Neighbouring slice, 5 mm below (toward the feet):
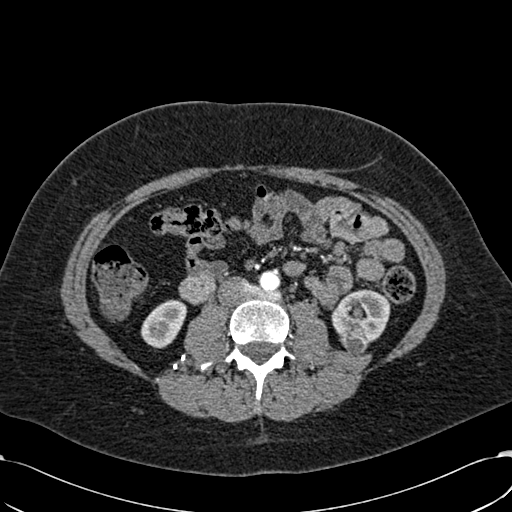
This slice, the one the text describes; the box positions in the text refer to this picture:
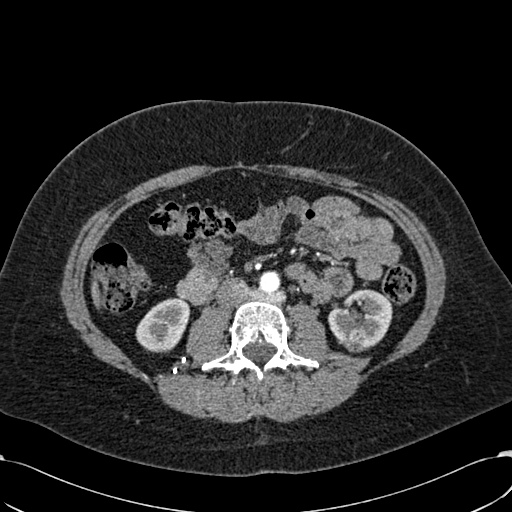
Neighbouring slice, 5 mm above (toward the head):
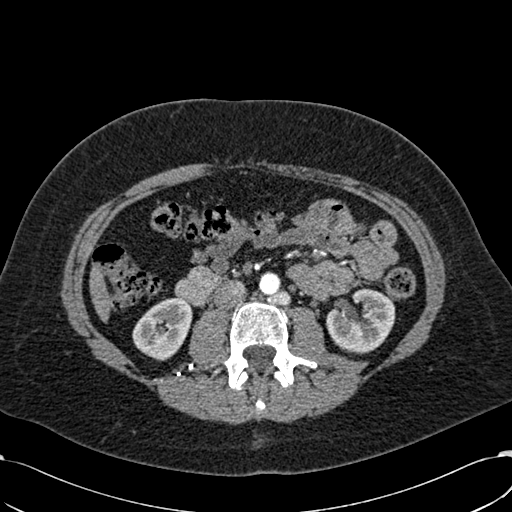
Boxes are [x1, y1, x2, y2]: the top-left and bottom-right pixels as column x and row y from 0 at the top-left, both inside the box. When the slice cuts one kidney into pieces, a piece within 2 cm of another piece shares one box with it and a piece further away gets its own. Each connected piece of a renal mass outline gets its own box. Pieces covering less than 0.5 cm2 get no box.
Arterial-phase contrast-enhanced abdominal CT, axial slice 293 of 532 (counted from the lowest slice); 1.00 mm thick, 0.713 mm per pixel. Three boxes on this slice (two kidney boxes and one renal mass box), listed by box centre from the image's left to its right. (1) Box [135, 297, 190, 352]: right kidney (outlined area 2,184 px, about 11.1 cm2). (2) Left renal mass at [345, 338, 363, 352] (outlined area 234 px, about 1.2 cm2). (3) Box [328, 289, 392, 350]: left kidney (outlined area 2,731 px, about 13.9 cm2). This slice is near the end of the left renal mass toward the head, so the slices 5 mm below and 5 mm above it are shown as well; the boxes refer to this slice only.
Scan settings: 120 kVp, B30f reconstruction kernel.